Abdominal CT with intravenous contrast, arterial phase, axial plane, 100 kVp, kernel I30f. Slice 190/325 from the bottom of the scan; thickness 1.00 mm; pixel size 0.703 mm.
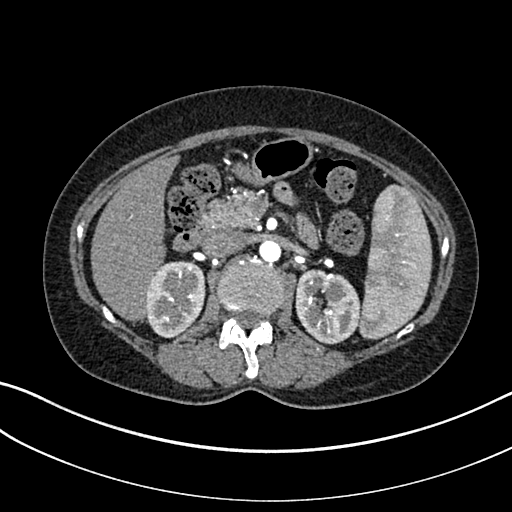
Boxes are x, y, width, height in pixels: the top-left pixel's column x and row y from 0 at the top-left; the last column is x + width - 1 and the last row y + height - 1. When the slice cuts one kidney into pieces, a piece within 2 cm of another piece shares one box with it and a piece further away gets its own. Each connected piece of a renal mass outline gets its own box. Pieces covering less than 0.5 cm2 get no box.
Two boxes on this slice (two kidney boxes), listed by box centre from the image's left to its right. (1) Right kidney at x 145, y 261, width 61, height 78 (outlined area 3,706 px, about 18.3 cm2). (2) Left kidney at x 295, y 269, width 66, height 76 (outlined area 3,737 px, about 18.5 cm2).